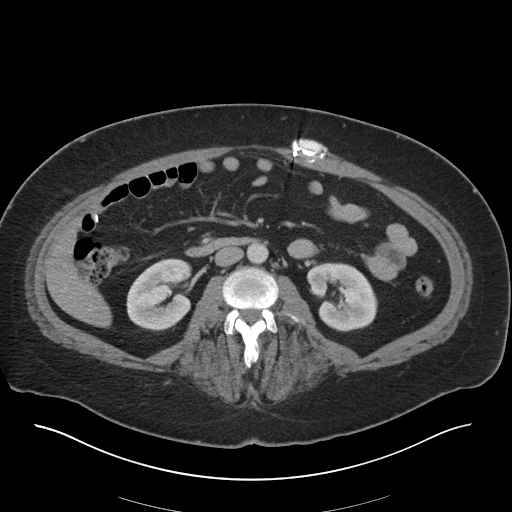
One axial slice (12 of 36, counting up from the lowest) of an arterial-phase abdominal CT acquired with 140 kVp, kernel I30f; each pixel is 0.906 mm and the slice is 5.00 mm thick.
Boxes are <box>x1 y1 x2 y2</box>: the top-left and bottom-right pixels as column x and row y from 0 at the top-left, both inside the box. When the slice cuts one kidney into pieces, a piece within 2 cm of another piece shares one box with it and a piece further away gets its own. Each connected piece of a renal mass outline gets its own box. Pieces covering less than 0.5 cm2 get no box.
Two boxes on this slice (two kidney boxes), listed by box centre from the image's left to its right. (1) Right kidney at <box>126 258 192 331</box> (outlined area 3,751 px, about 30.8 cm2). (2) Left kidney at <box>306 262 377 331</box> (outlined area 3,613 px, about 29.7 cm2). No renal mass outline on this slice.